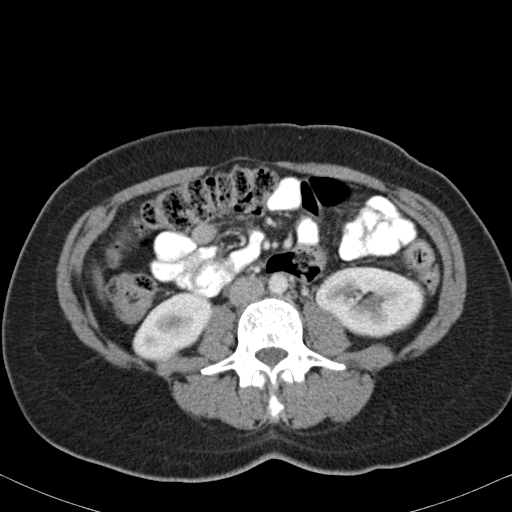
Arterial-phase contrast-enhanced abdominal CT, axial slice 53 of 82 (counted from the lowest slice); tube voltage 120 kVp, convolution kernel B31f; slices 5.00 mm thick, 0.625 mm per pixel.
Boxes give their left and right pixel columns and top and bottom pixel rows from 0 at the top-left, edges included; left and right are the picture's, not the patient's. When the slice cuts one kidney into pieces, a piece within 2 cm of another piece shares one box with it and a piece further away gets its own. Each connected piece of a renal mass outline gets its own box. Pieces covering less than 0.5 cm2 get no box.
Boxed on this slice (two kidney boxes), listed by box centre from the image's left to its right: (1) Right kidney in the box with left 133, top 292, right 212, bottom 361 (outlined area 3,773 px, about 14.7 cm2). (2) Box with left 315, top 266, right 424, bottom 337: left kidney (outlined area 5,753 px, about 22.5 cm2). No renal mass outline on this slice.